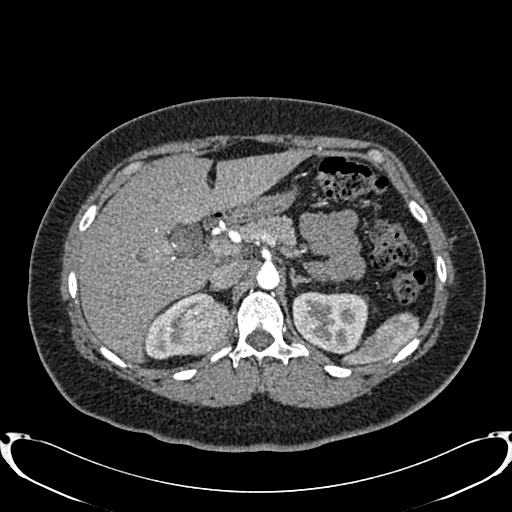
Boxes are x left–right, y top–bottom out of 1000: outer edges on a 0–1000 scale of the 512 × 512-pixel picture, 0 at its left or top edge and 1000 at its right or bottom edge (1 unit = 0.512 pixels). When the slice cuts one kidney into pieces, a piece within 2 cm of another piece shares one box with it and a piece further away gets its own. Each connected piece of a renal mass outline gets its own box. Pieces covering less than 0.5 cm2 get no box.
This is axial slice 561 of 719 (slice 1 is the lowest) of an arterial-phase abdominal CT with contrast; each pixel is 0.766 mm and the slice is 1.00 mm thick. Two kidney boxes and one renal mass box on this slice; by box centre, from the image's left to its right: (1) Right kidney, box x 281–402, y 568–703 out of 1000 (outlined area 1,383 px, about 8.1 cm2). (2) Right renal mass, box x 332–449, y 572–695 out of 1000 (outlined area 2,860 px, about 16.8 cm2). (3) Left kidney, box x 570–721, y 568–693 out of 1000 (outlined area 3,845 px, about 22.5 cm2).
Scan settings: 120 kVp, B20f reconstruction kernel.